Arterial-phase contrast-enhanced abdominal CT, axial slice 45 of 99 (counted from the lowest slice); tube voltage 120 kVp, convolution kernel B30f; slices 5.00 mm thick, 0.693 mm per pixel.
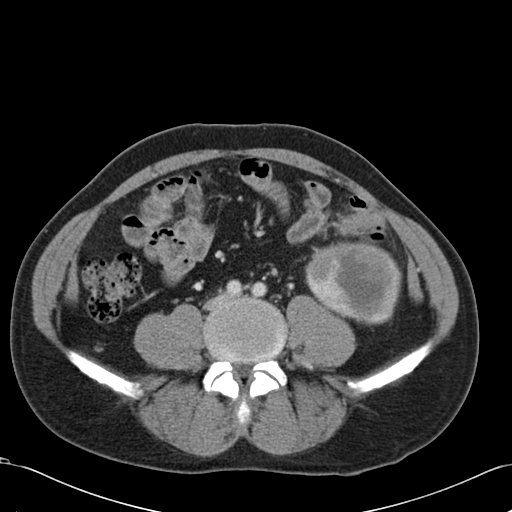
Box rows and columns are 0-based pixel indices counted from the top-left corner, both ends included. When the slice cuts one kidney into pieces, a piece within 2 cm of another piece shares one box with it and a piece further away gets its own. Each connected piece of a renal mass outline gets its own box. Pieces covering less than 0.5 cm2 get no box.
Left renal mass at rows 240–325, columns 305–401 (outlined area 6,317 px, about 30.4 cm2); no kidney outline appears on this slice, but the same outlined renal mass comes within 1 cm of the kidney on another slice.